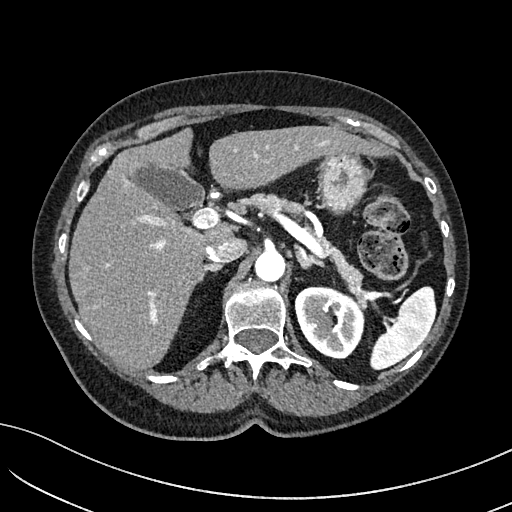
Arterial-phase contrast-enhanced abdominal CT, axial slice 110 of 234 (counted from the lowest slice); tube voltage 100 kVp, convolution kernel I40f; slices 2.00 mm thick, 0.699 mm per pixel.
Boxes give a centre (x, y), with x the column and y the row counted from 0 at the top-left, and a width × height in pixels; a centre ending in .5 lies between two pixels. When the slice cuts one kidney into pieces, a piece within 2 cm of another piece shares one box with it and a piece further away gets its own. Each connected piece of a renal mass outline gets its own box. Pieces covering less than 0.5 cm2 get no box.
Left kidney in a box with centre (329, 322.5), 71 × 74 pixels (outlined area 3,870 px, about 18.9 cm2). No renal mass outline on this slice.